Contrast-enhanced abdominal CT, axial slice 75 of 90 (counted from the lowest slice); tube voltage 120 kVp, convolution kernel B31f; slices 5.00 mm thick, 0.707 mm per pixel.
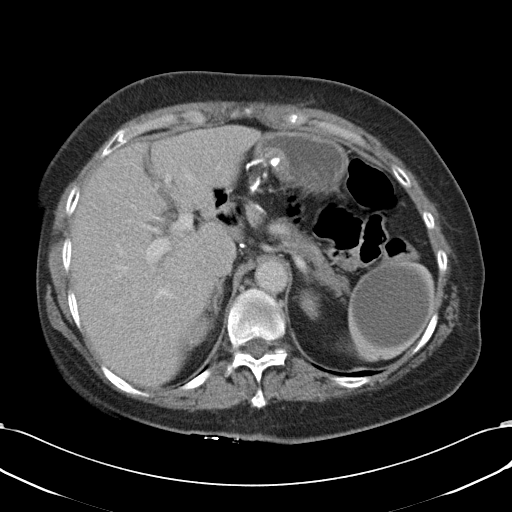
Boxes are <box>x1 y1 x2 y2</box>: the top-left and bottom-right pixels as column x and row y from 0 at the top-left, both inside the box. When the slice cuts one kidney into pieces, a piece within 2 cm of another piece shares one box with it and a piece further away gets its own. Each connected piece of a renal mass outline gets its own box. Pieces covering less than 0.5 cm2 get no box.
Boxed on this slice (two kidney boxes), listed by box centre from the image's left to its right: (1) Right kidney: <box>190 316 212 347</box> (outlined area 408 px, about 2.0 cm2). (2) At <box>299 289 319 317</box>: left kidney (outlined area 420 px, about 2.1 cm2). This slice carries no renal mass outline.